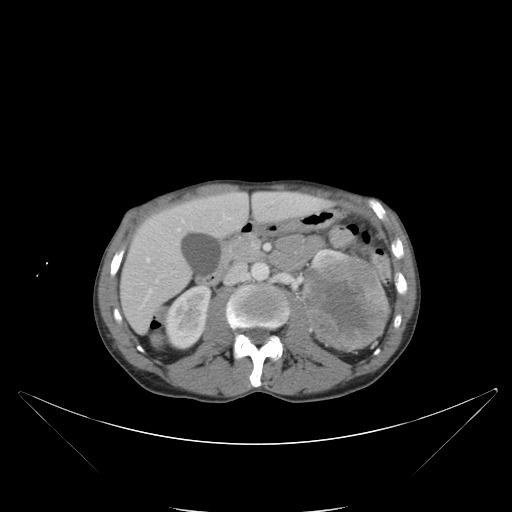
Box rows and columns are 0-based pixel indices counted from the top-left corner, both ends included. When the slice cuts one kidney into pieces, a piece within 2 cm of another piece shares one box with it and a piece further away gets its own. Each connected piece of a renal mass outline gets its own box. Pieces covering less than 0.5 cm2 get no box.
Slice 58/88 of a contrast-enhanced abdominal CT, counting up from the lowest; pixel size 0.865 mm, slice thickness 5.00 mm. Three boxes on this slice (two kidney boxes and one renal mass box), listed by box centre from the image's left to its right. (1) Right kidney, box rows 284–350, columns 165–211 (outlined area 2,223 px, about 16.6 cm2). (2) Left kidney at rows 249–264, columns 309–354 (outlined area 334 px, about 2.5 cm2). (3) Left renal mass, box rows 256–352, columns 303–391 (outlined area 6,650 px, about 49.8 cm2).
Scan settings: 120 kVp, B reconstruction kernel.